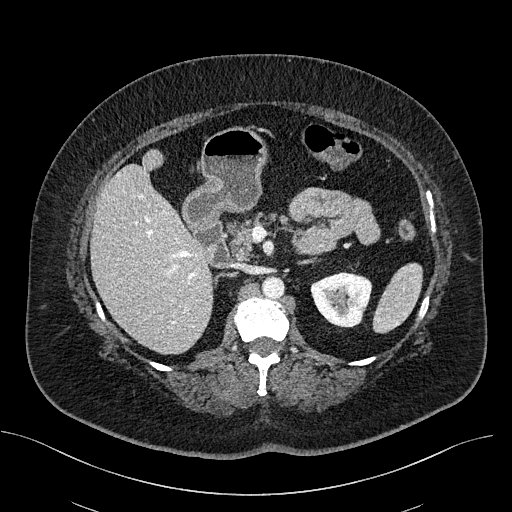
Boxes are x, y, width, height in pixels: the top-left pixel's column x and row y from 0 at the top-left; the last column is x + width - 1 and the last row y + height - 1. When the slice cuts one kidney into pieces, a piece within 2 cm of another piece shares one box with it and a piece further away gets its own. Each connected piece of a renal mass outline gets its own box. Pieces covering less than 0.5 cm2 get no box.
Slice 326/470 of a contrast-enhanced abdominal CT, counting up from the lowest; pixel size 0.824 mm, slice thickness 2.00 mm. Left kidney, box x 310, y 272, width 63, height 56 (outlined area 2,608 px, about 17.7 cm2). No renal mass outline on this slice.
Acquired at 100 kVp and reconstructed with the I40f kernel.